Arterial-phase contrast-enhanced abdominal CT, axial slice 18 of 68 (counted from the lowest slice); tube voltage 120 kVp, convolution kernel B31f; slices 5.00 mm thick, 0.961 mm per pixel.
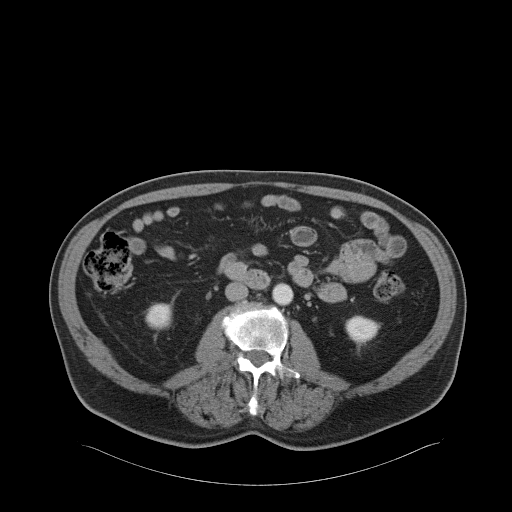
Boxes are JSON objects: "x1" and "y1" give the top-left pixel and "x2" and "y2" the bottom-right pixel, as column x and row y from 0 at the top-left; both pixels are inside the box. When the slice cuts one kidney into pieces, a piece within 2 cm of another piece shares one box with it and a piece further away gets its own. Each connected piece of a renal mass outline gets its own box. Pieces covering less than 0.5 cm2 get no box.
Two boxes on this slice (two kidney boxes), listed by box centre from the image's left to its right. (1) Right kidney at {"x1": 145, "y1": 303, "x2": 172, "y2": 328} (outlined area 623 px, about 5.8 cm2). (2) Left kidney, box {"x1": 345, "y1": 315, "x2": 379, "y2": 343} (outlined area 749 px, about 6.9 cm2). No renal mass is outlined on this slice.